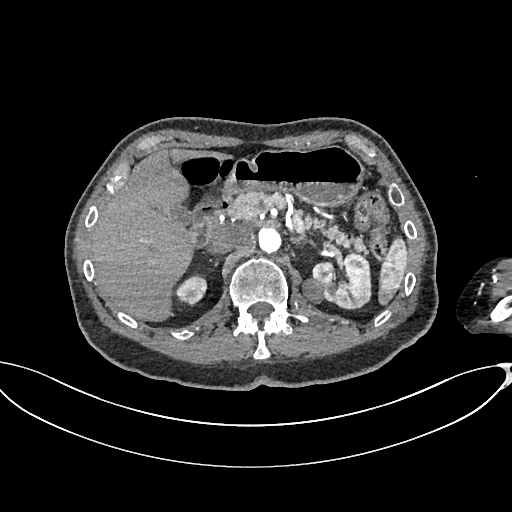
Axial slice 453 of 665 of a contrast-enhanced abdominal CT in the arterial phase (slice 1 is the lowest), 100 kVp, kernel I26f; 1.00 mm slice thickness and 0.828 mm pixels.
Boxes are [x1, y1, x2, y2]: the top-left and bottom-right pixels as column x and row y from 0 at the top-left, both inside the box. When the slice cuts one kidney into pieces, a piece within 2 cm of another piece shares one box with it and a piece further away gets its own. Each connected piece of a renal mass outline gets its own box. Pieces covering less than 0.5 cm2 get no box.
Boxed on this slice (two kidney boxes and one renal mass box), listed by box centre from the image's left to its right: (1) Right kidney, box [173, 273, 207, 306] (outlined area 750 px, about 5.1 cm2). (2) Box [302, 277, 323, 303]: left renal mass (outlined area 438 px, about 3.0 cm2). (3) Left kidney, box [312, 252, 371, 308] (outlined area 2,481 px, about 17.0 cm2).